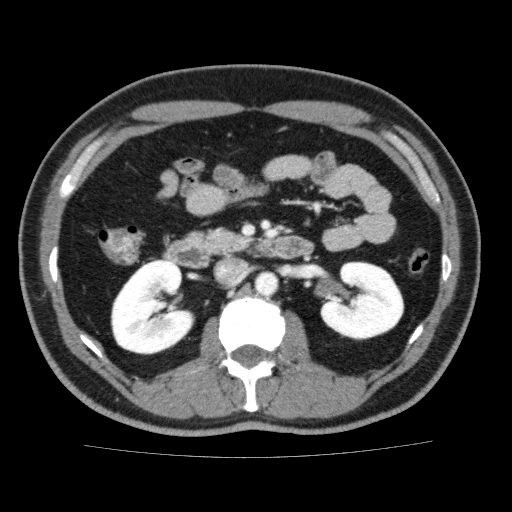
One axial slice (102 of 159, counting up from the lowest) of a contrast-enhanced abdominal CT acquired with 120 kVp, kernel FC13; each pixel is 0.668 mm and the slice is 3.00 mm thick.
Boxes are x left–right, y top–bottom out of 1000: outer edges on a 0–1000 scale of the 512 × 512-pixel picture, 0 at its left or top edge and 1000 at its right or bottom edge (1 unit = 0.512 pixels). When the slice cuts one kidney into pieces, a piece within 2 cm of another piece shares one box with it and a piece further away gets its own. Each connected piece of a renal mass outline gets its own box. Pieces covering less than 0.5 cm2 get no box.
Two boxes on this slice (two kidney boxes), listed by box centre from the image's left to its right. (1) Box x 215–383, y 508–693 out of 1000: right kidney (outlined area 5,908 px, about 26.4 cm2). (2) Left kidney, box x 625–791, y 510–666 out of 1000 (outlined area 5,001 px, about 22.3 cm2). No renal mass is outlined on this slice.